Abdominal CT with intravenous contrast, arterial phase, axial plane, 120 kVp, kernel B30f. Slice 326/581 from the bottom of the scan; thickness 1.00 mm; pixel size 0.713 mm.
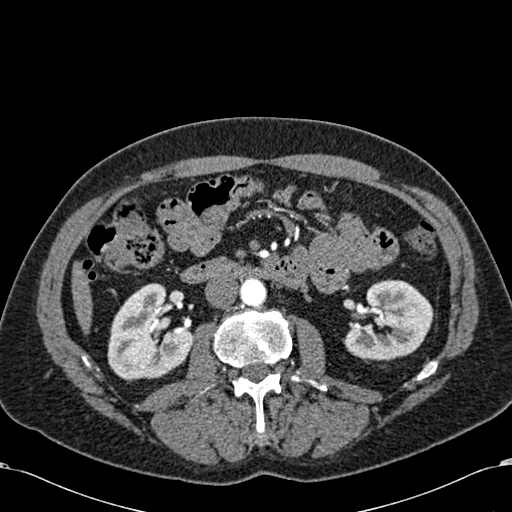
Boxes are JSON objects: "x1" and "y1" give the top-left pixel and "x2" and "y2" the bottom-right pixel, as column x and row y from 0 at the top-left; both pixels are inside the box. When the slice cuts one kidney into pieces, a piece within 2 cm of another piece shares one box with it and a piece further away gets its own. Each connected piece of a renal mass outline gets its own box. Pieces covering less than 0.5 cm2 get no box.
Two kidney boxes on this slice; by box centre, from the image's left to its right: (1) Right kidney at {"x1": 107, "y1": 283, "x2": 192, "y2": 380} (outlined area 5,905 px, about 30.0 cm2). (2) Left kidney at {"x1": 342, "y1": 279, "x2": 433, "y2": 360} (outlined area 5,196 px, about 26.4 cm2). This slice carries no renal mass outline.